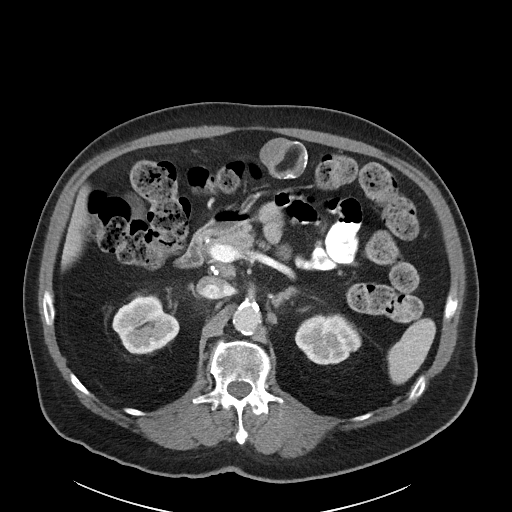
Axial slice 65 of 89 of a contrast-enhanced abdominal CT in the arterial phase (slice 1 is the lowest), 100 kVp, kernel I40f; 5.00 mm slice thickness and 0.885 mm pixels.
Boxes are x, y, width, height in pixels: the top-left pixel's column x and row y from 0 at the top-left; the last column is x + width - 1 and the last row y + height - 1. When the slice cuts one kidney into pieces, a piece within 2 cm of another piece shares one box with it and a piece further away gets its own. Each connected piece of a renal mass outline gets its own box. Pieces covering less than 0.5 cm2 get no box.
Boxed on this slice (two kidney boxes), listed by box centre from the image's left to its right: (1) Right kidney, box x 112, y 293, width 68, height 62 (outlined area 2,909 px, about 22.8 cm2). (2) Left kidney at x 294, y 313, width 68, height 52 (outlined area 2,617 px, about 20.5 cm2). No renal mass outline on this slice.